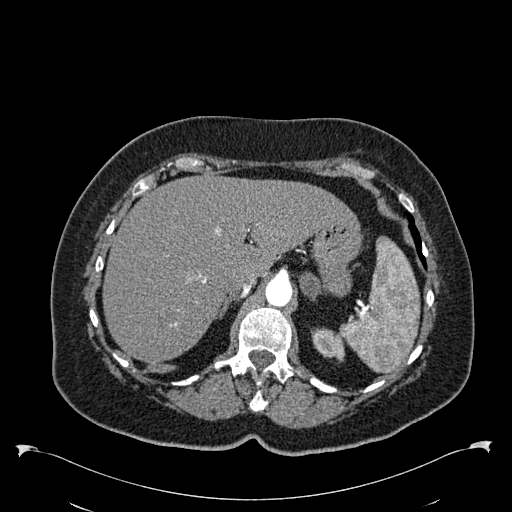
One axial slice (443 of 538, counting up from the lowest) of an arterial-phase abdominal CT acquired with 120 kVp, kernel B30f; each pixel is 0.811 mm and the slice is 1.00 mm thick.
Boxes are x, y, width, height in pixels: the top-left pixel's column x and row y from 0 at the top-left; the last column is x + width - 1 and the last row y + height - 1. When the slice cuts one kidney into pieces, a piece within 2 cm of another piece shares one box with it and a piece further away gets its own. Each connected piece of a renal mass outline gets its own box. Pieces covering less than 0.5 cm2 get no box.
Box x 311, y 327, width 34, height 36: left kidney (outlined area 826 px, about 5.4 cm2). This slice carries no renal mass outline.